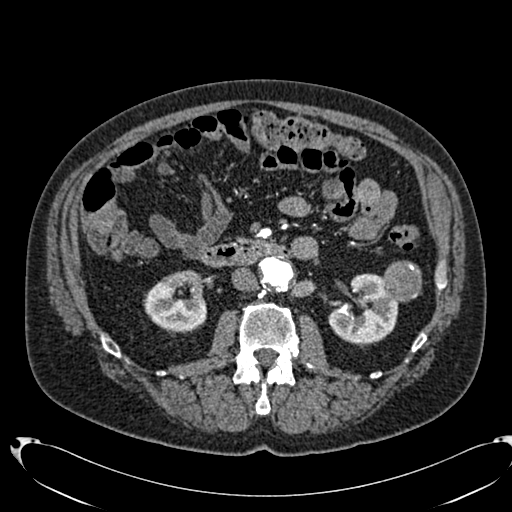
One axial slice (389 of 553, counting up from the lowest) of an arterial-phase abdominal CT acquired with 120 kVp, kernel B20f; each pixel is 0.773 mm and the slice is 1.00 mm thick.
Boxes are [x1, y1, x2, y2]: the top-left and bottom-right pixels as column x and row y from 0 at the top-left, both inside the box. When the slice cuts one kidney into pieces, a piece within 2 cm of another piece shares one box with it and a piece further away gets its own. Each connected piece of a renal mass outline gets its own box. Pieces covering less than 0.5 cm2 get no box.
Boxed on this slice (two kidney boxes and one renal mass box), listed by box centre from the image's left to its right: (1) Box [143, 270, 206, 333]: right kidney (outlined area 2,997 px, about 17.9 cm2). (2) Left kidney at [328, 273, 398, 345] (outlined area 3,439 px, about 20.6 cm2). (3) Box [382, 260, 421, 302]: left renal mass (outlined area 1,339 px, about 8.0 cm2).